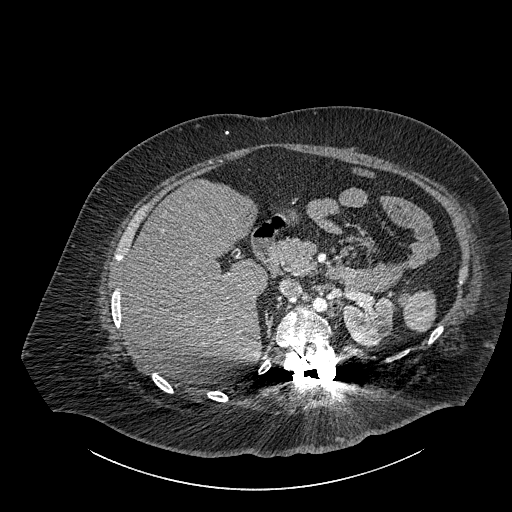
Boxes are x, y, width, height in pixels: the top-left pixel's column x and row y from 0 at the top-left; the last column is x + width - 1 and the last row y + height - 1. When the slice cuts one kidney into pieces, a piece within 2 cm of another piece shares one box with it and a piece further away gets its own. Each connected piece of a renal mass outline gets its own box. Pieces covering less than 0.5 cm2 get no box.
Contrast-enhanced abdominal CT, axial slice 603 of 834 (counted from the lowest slice); 1.00 mm thick, 0.977 mm per pixel. Left part of the midline-crossing kidney, box x 342, y 296, width 51, height 51 (outlined area 1,984 px, about 18.9 cm2). This slice carries no renal mass outline.
Scan settings: 140 kVp, I30f reconstruction kernel.